One axial slice (101 of 163, counting up from the lowest) of a contrast-enhanced abdominal CT acquired with 100 kVp, kernel I40f; each pixel is 0.799 mm and the slice is 3.00 mm thick.
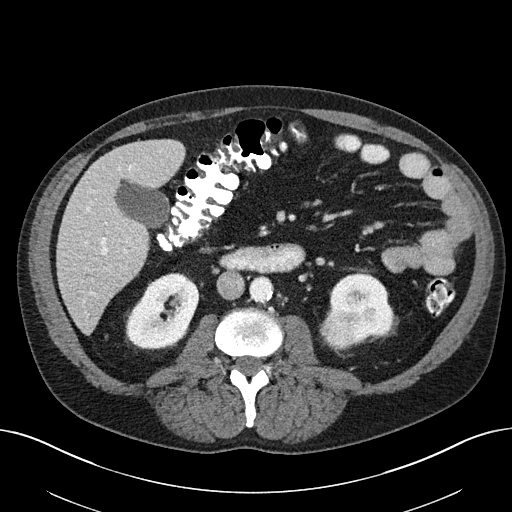
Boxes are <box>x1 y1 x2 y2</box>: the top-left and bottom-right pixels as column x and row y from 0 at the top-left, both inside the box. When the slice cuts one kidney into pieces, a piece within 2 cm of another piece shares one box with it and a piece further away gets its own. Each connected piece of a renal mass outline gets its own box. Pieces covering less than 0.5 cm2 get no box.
Boxed on this slice (two kidney boxes and one renal mass box), listed by box centre from the image's left to its right: (1) Right kidney at <box>126 273 199 349</box> (outlined area 4,021 px, about 25.7 cm2). (2) Left renal mass: <box>320 309 363 350</box> (outlined area 1,423 px, about 9.1 cm2). (3) Left kidney: <box>329 272 396 343</box> (outlined area 2,750 px, about 17.5 cm2).